Contrast-enhanced abdominal CT, axial slice 58 of 92 (counted from the lowest slice); tube voltage 100 kVp, convolution kernel I41f; slices 3.00 mm thick, 0.684 mm per pixel.
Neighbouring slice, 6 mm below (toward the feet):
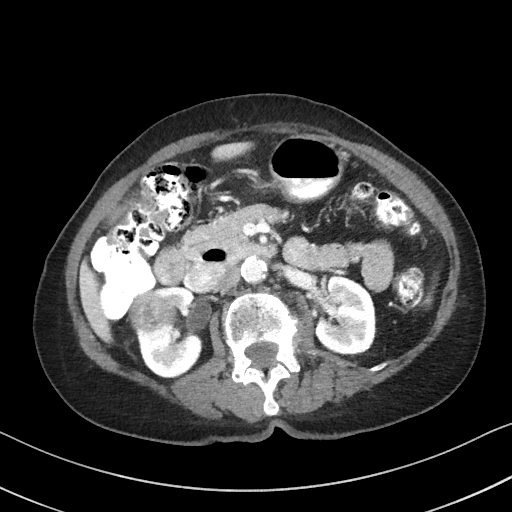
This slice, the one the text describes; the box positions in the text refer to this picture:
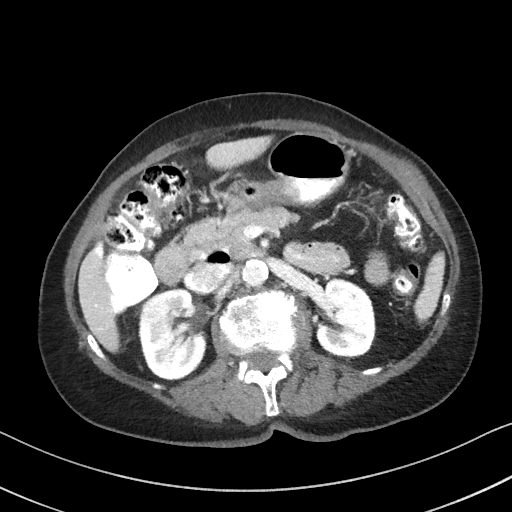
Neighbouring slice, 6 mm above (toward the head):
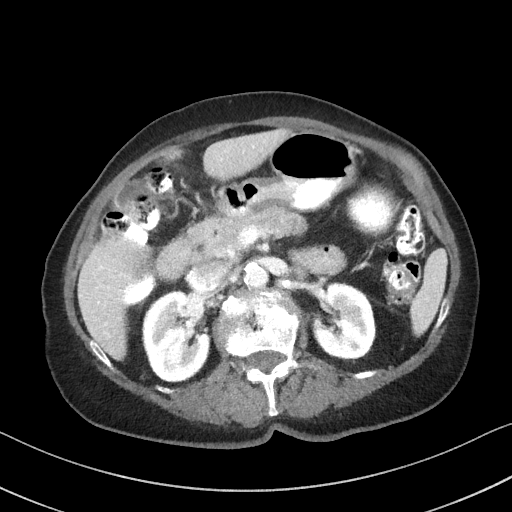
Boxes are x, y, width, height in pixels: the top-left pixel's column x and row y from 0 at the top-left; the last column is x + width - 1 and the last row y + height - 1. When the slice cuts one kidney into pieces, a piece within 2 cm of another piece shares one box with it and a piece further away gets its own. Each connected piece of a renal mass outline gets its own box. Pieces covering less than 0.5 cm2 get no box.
Three boxes on this slice (two kidney boxes and one renal mass box), listed by box centre from the image's left to its right. (1) Right renal mass, box x 139, y 298, width 21, height 22 (outlined area 337 px, about 1.6 cm2). (2) Right kidney at x 138, y 288, width 69, height 93 (outlined area 4,651 px, about 21.7 cm2). (3) Left kidney, box x 315, y 278, width 62, height 81 (outlined area 3,849 px, about 18.0 cm2). This slice lies near the end of the right renal mass toward the head; the slices 6 mm below and 6 mm above it are shown too, and the boxes mark positions on this slice only.